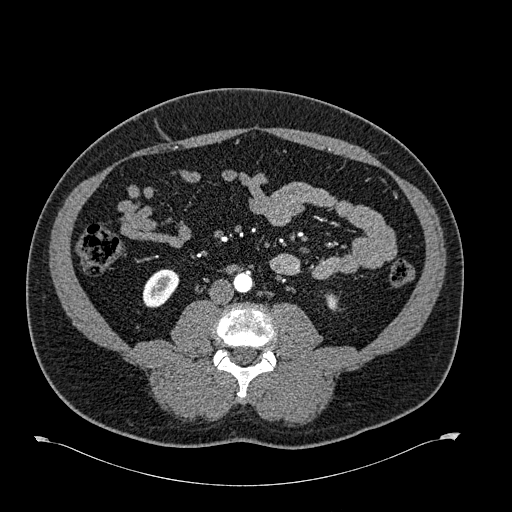
One axial slice (265 of 723, counting up from the lowest) of an arterial-phase abdominal CT acquired with 120 kVp, kernel B30f; each pixel is 0.895 mm and the slice is 1.00 mm thick.
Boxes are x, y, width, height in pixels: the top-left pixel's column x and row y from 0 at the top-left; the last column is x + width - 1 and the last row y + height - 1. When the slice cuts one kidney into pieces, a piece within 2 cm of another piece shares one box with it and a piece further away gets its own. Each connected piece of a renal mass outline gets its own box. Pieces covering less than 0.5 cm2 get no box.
Boxed on this slice (two kidney boxes), listed by box centre from the image's left to its right: (1) Right kidney at x 142, y 269, width 38, height 39 (outlined area 1,044 px, about 8.4 cm2). (2) Left kidney, box x 324, y 293, width 14, height 16 (outlined area 155 px, about 1.2 cm2). No renal mass is outlined on this slice.